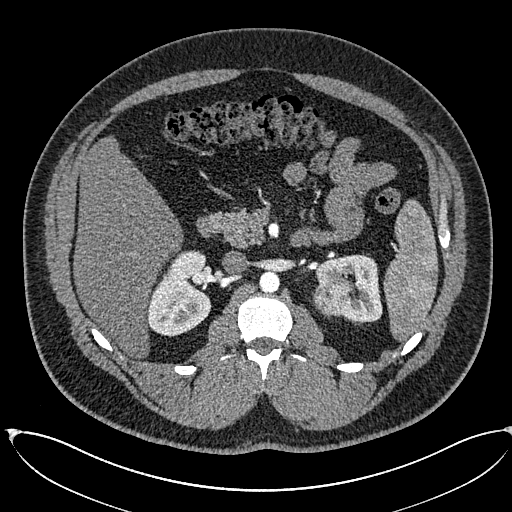
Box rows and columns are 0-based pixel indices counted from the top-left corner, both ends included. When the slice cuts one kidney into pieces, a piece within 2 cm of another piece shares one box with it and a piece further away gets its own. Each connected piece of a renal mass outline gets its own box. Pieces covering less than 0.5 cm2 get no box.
Arterial-phase contrast-enhanced abdominal CT, axial slice 383 of 673 (counted from the lowest slice); 1.00 mm thick, 0.855 mm per pixel. Two kidney boxes and one renal mass box on this slice; by box centre, from the image's left to its right: (1) Box rows 250–336, columns 147–212: right kidney (outlined area 4,052 px, about 29.7 cm2). (2) Box rows 276–316, columns 313–355: left renal mass (outlined area 1,407 px, about 10.3 cm2). (3) Left kidney at rows 254–323, columns 316–382 (outlined area 2,485 px, about 18.2 cm2).
Acquired at 120 kVp and reconstructed with the I30f kernel.